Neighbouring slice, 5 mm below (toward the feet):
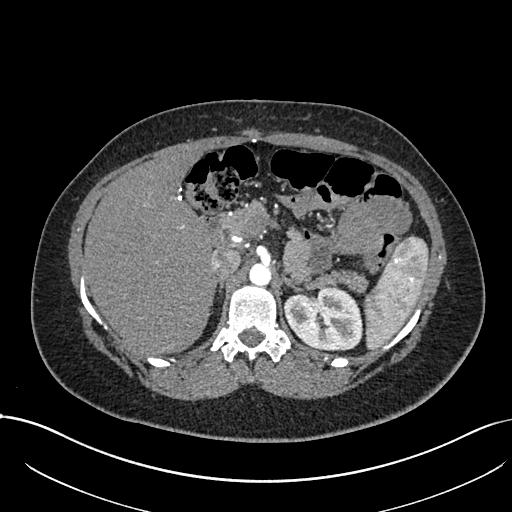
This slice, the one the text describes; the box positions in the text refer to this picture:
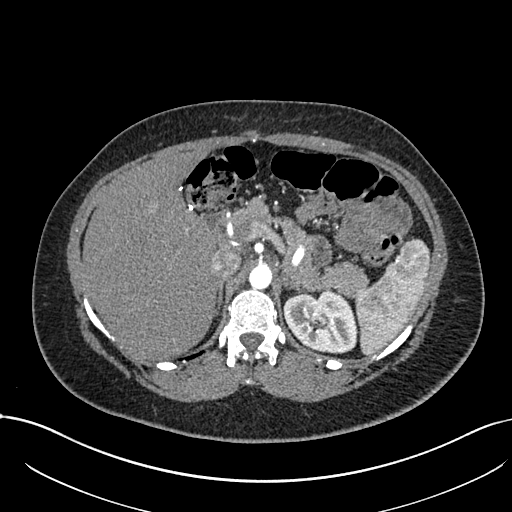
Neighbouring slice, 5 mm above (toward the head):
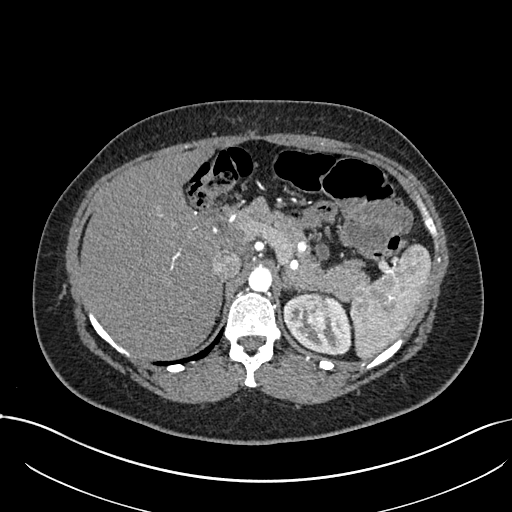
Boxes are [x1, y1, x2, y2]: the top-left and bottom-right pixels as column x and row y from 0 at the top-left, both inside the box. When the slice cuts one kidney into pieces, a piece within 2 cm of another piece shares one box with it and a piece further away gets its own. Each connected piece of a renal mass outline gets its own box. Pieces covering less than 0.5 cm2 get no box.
Slice 522/738 of a contrast-enhanced abdominal CT in the arterial phase, counting up from the lowest; pixel size 0.789 mm, slice thickness 1.00 mm. Two boxes on this slice (one kidney box and one renal mass box), listed by box centre from the image's left to its right. (1) Left renal mass at [307, 301, 323, 316] (outlined area 209 px, about 1.3 cm2). (2) Left kidney at [282, 290, 357, 353] (outlined area 3,495 px, about 21.8 cm2). This slice is near the end of the left renal mass toward the feet, so the slices 5 mm below and 5 mm above it are shown as well; the boxes refer to this slice only.
Scan settings: 120 kVp, I30f reconstruction kernel.